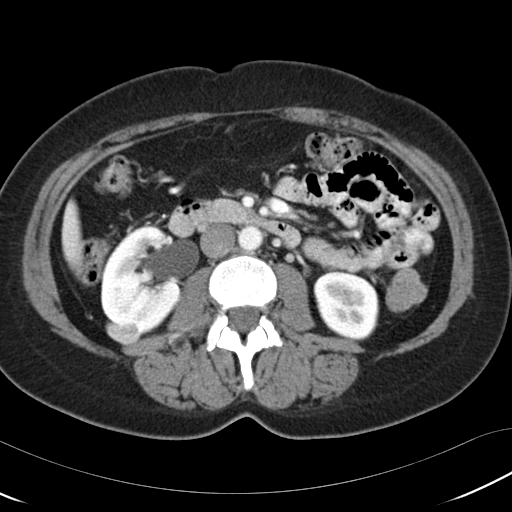
One axial slice (60 of 97, counting up from the lowest) of a contrast-enhanced abdominal CT acquired with 120 kVp, kernel B30f; each pixel is 0.664 mm and the slice is 5.00 mm thick.
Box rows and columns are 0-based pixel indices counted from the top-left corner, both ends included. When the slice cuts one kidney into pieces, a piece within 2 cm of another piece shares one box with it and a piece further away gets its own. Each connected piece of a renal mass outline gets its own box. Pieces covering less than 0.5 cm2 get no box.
Boxed on this slice (two kidney boxes and one renal mass box), listed by box centre from the image's left to its right: (1) Right renal mass, box rows 321–346, columns 105–142 (outlined area 691 px, about 3.0 cm2). (2) Right kidney, box rows 225–334, columns 100–182 (outlined area 6,485 px, about 28.6 cm2). (3) Left kidney at rows 271–340, columns 313–379 (outlined area 3,579 px, about 15.8 cm2).